Abdominal CT with intravenous contrast, arterial phase, axial plane, 100 kVp, kernel I40f. Slice 112/234 from the bottom of the scan; thickness 2.00 mm; pixel size 0.699 mm.
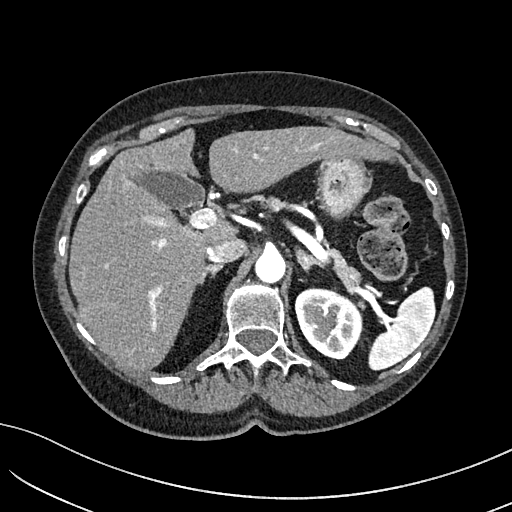
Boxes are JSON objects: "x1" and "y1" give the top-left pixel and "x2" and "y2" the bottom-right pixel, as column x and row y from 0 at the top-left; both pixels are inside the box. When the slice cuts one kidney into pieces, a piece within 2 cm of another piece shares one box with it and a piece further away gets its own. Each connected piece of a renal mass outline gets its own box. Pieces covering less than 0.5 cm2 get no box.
Box {"x1": 294, "y1": 288, "x2": 362, "y2": 359}: left kidney (outlined area 3,665 px, about 17.9 cm2). This slice carries no renal mass outline.